Axial slice 460 of 834 of a contrast-enhanced abdominal CT (slice 1 is the lowest), 140 kVp, kernel I30f; 1.00 mm slice thickness and 0.977 mm pixels.
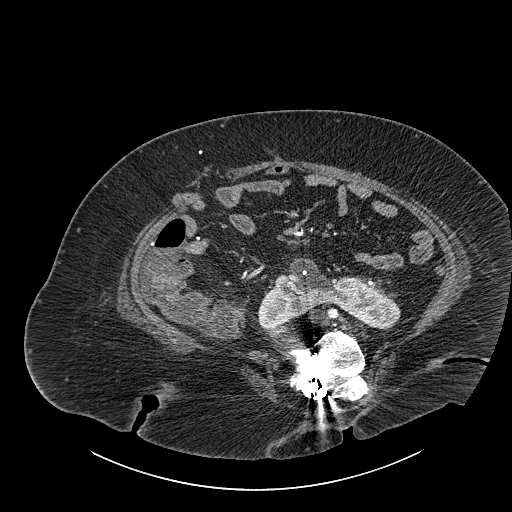
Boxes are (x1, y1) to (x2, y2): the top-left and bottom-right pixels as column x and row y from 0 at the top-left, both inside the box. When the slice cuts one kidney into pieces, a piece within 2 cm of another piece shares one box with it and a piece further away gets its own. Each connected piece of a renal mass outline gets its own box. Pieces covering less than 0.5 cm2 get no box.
Kidney crossing the body midline from (257, 258) to (400, 329) (outlined area 5,648 px, about 53.9 cm2). This slice carries no renal mass outline.